Axial slice 98 of 470 of a contrast-enhanced abdominal CT in the arterial phase (slice 1 is the lowest), 120 kVp, kernel I26f; 1.00 mm slice thickness and 0.938 mm pixels.
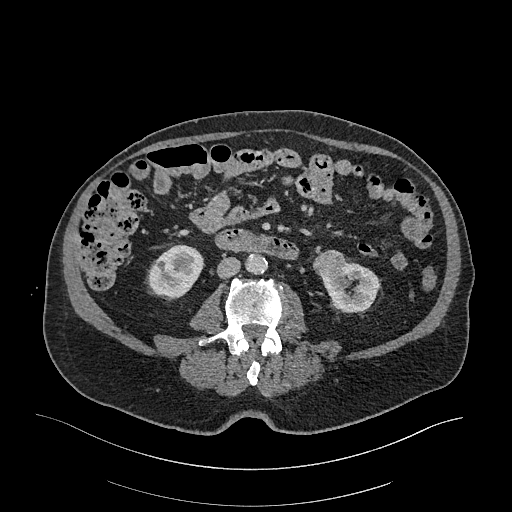
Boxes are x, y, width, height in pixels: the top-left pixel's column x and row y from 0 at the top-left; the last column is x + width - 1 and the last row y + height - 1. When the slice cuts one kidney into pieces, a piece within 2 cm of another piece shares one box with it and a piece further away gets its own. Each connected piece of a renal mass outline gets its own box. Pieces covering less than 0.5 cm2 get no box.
Three boxes on this slice (two kidney boxes and one renal mass box), listed by box centre from the image's left to its right. (1) Box x 147, y 244, width 58, height 56: right kidney (outlined area 2,283 px, about 20.1 cm2). (2) Left renal mass at x 313, y 249, width 33, height 33 (outlined area 817 px, about 7.2 cm2). (3) Box x 321, y 258, width 58, height 55: left kidney (outlined area 1,925 px, about 16.9 cm2).